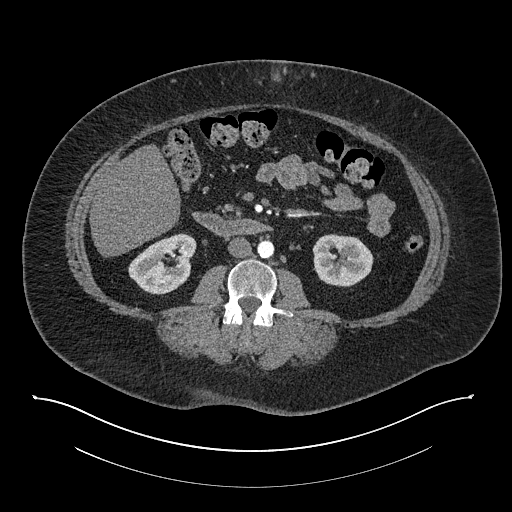
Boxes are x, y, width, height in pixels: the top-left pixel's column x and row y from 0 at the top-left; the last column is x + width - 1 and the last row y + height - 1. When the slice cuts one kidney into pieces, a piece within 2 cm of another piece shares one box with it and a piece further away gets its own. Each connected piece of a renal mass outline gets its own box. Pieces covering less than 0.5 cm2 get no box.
This is axial slice 405 of 673 (slice 1 is the lowest) of an arterial-phase abdominal CT with contrast; each pixel is 0.957 mm and the slice is 1.00 mm thick. Two kidney boxes on this slice; by box centre, from the image's left to its right: (1) Right kidney at x 128, y 233, width 69, height 62 (outlined area 2,901 px, about 26.6 cm2). (2) Left kidney, box x 312, y 234, width 62, height 53 (outlined area 2,566 px, about 23.5 cm2). This slice carries no renal mass outline.
Tube voltage 140 kVp; convolution kernel I30f.